Abdominal CT with intravenous contrast, arterial phase, axial plane, 100 kVp, kernel I30f. Slice 171/304 from the bottom of the scan; thickness 2.00 mm; pixel size 0.809 mm.
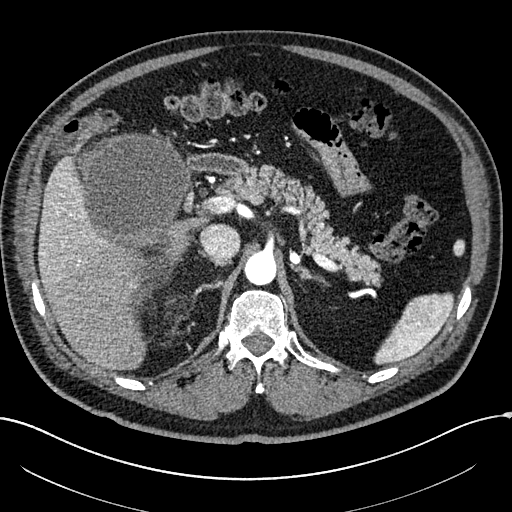
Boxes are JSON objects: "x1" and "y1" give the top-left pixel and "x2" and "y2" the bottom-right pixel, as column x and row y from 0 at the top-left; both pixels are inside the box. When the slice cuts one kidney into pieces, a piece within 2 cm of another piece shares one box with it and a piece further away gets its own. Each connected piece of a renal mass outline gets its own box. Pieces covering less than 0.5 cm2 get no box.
Right renal mass at {"x1": 77, "y1": 133, "x2": 191, "y2": 254} (outlined area 10,519 px, about 68.8 cm2); no kidney outline appears on this slice, but the same outlined renal mass comes within 1 cm of the kidney on another slice.